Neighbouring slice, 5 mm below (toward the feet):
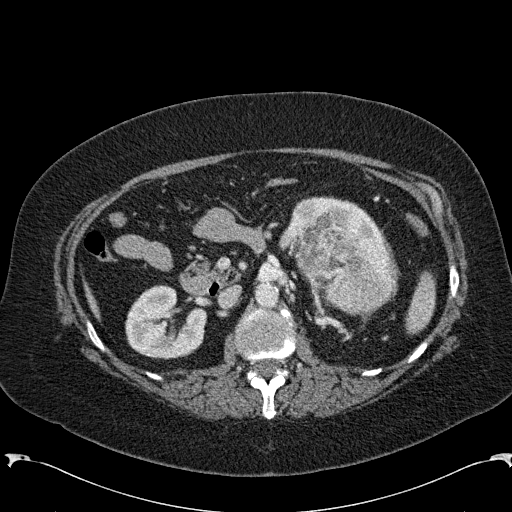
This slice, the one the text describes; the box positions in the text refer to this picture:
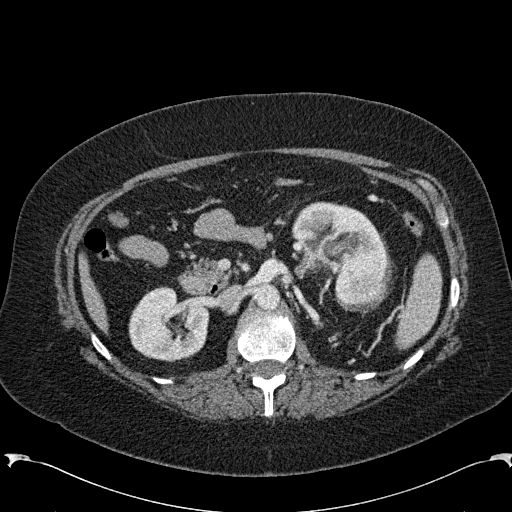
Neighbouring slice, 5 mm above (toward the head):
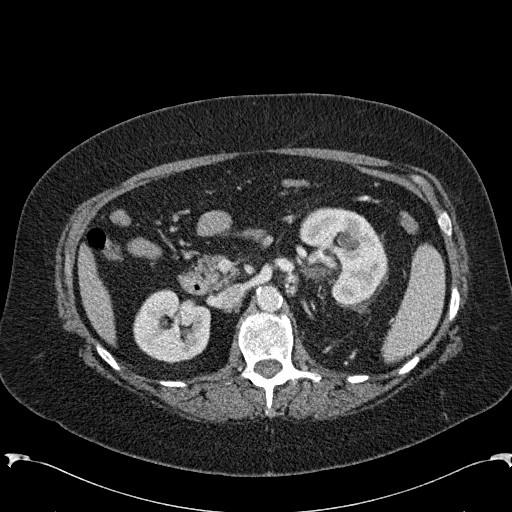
Axial slice 142 of 285 of a contrast-enhanced abdominal CT in the arterial phase (slice 1 is the lowest), 120 kVp, kernel B31f; 2.00 mm slice thickness and 0.762 mm pixels.
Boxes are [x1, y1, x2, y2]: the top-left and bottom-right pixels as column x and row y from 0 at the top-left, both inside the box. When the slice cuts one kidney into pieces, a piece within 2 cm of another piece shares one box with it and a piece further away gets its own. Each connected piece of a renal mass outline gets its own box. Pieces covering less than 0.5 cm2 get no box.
Boxed on this slice (two kidney boxes and one renal mass box), listed by box centre from the image's left to its right: (1) Right kidney, box [128, 286, 209, 361] (outlined area 4,599 px, about 26.7 cm2). (2) Box [292, 201, 389, 309]: left kidney (outlined area 4,391 px, about 25.5 cm2). (3) Left renal mass at [329, 246, 392, 310] (outlined area 3,089 px, about 17.9 cm2). This slice lies near the end of the left renal mass toward the head; the slices 5 mm below and 5 mm above it are shown too, and the boxes mark positions on this slice only.